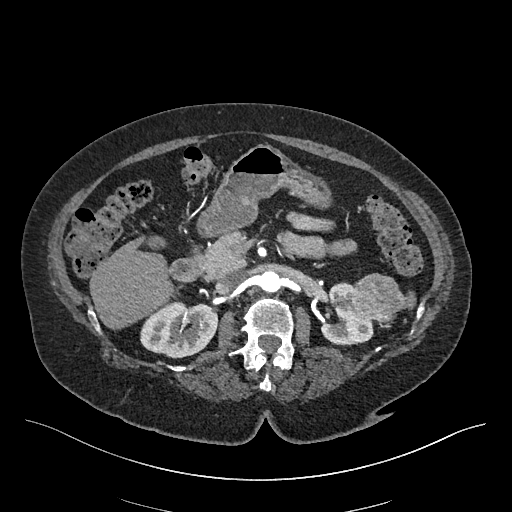
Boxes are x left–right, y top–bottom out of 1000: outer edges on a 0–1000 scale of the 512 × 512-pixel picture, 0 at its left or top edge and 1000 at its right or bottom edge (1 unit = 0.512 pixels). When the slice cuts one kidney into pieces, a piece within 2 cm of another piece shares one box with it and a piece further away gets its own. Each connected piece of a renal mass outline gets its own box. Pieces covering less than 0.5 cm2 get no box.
Slice 272/548 of a contrast-enhanced abdominal CT in the arterial phase, counting up from the lowest; pixel size 0.852 mm, slice thickness 1.00 mm. Three boxes on this slice (two kidney boxes and one renal mass box), listed by box centre from the image's left to its right. (1) Right kidney at x 273–428, y 588–701 out of 1000 (outlined area 3,427 px, about 24.9 cm2). (2) Left kidney at x 625–730, y 551–676 out of 1000 (outlined area 2,033 px, about 14.7 cm2). (3) Left renal mass, box x 684–791, y 533–641 out of 1000 (outlined area 2,178 px, about 15.8 cm2).
Scan settings: 120 kVp, I26f reconstruction kernel.